Abdominal CT with intravenous contrast, arterial phase, axial plane, 120 kVp, kernel B30f. Slice 393/532 from the bottom of the scan; thickness 1.00 mm; pixel size 0.713 mm.
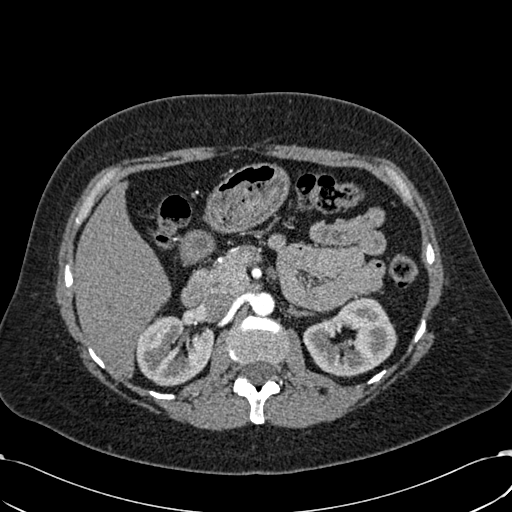
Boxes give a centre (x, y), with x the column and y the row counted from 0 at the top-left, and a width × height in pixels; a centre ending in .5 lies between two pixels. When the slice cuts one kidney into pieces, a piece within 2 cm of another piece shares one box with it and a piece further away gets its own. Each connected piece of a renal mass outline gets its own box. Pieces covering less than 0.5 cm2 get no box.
Two boxes on this slice (two kidney boxes), listed by box centre from the image's left to its right. (1) Right kidney, box centre (174.5, 350.5), 80 × 72 pixels (outlined area 4,148 px, about 21.1 cm2). (2) Left kidney, box centre (350, 337), 95 × 81 pixels (outlined area 4,969 px, about 25.3 cm2). This slice carries no renal mass outline.